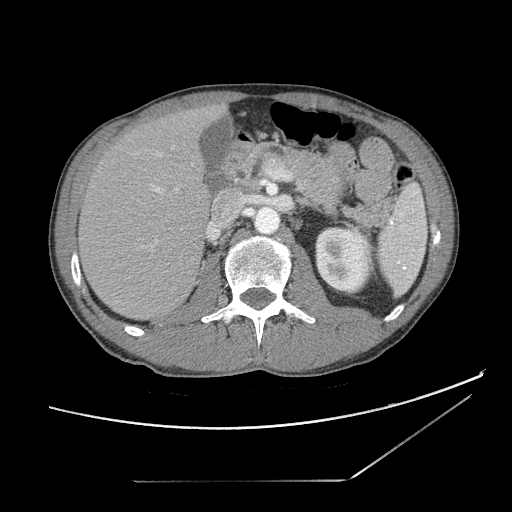
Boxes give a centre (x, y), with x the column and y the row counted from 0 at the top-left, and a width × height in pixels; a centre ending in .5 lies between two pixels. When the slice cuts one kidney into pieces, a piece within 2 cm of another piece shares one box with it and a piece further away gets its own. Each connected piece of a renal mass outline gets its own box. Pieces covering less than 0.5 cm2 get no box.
Slice 72/121 of a contrast-enhanced abdominal CT, counting up from the lowest; pixel size 0.742 mm, slice thickness 2.50 mm. Left kidney, box centre (343, 260), 59 × 71 pixels (outlined area 3,297 px, about 18.2 cm2). No renal mass outline on this slice.
Scan settings: 120 kVp, STANDARD reconstruction kernel.